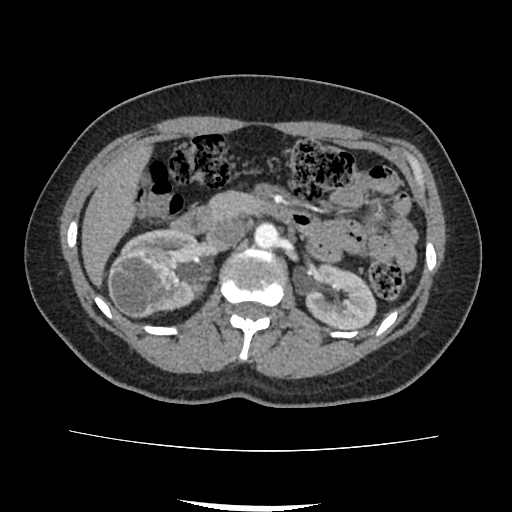
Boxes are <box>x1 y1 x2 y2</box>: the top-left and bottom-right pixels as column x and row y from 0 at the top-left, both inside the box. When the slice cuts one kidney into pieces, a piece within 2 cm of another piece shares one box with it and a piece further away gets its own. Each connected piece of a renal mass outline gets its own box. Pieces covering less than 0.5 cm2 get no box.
Contrast-enhanced abdominal CT, axial slice 52 of 103 (counted from the lowest slice); 3.00 mm thick, 0.714 mm per pixel. Two kidney boxes and one renal mass box on this slice; by box centre, from the image's left to its right: (1) At <box>108 251 163 317</box>: right renal mass (outlined area 2,915 px, about 14.9 cm2). (2) At <box>120 229 199 316</box>: right kidney (outlined area 3,631 px, about 18.5 cm2). (3) Left kidney at <box>304 263 376 330</box> (outlined area 3,744 px, about 19.1 cm2).
Tube voltage 120 kVp; convolution kernel FC18.